One axial slice (435 of 673, counting up from the lowest) of an arterial-phase abdominal CT acquired with 140 kVp, kernel I30f; each pixel is 0.957 mm and the slice is 1.00 mm thick.
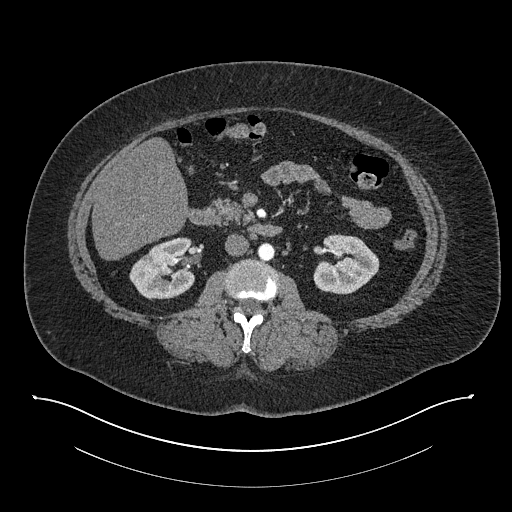
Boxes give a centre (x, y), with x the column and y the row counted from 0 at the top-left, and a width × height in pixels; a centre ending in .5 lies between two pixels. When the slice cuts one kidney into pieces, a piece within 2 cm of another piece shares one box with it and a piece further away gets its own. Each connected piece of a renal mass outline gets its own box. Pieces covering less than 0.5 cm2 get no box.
Two boxes on this slice (two kidney boxes), listed by box centre from the image's left to its right. (1) Right kidney, box centre (161.5, 268), 66 × 63 pixels (outlined area 3,063 px, about 28.1 cm2). (2) Left kidney, box centre (346, 264.5), 67 × 60 pixels (outlined area 2,957 px, about 27.1 cm2). No renal mass outline on this slice.